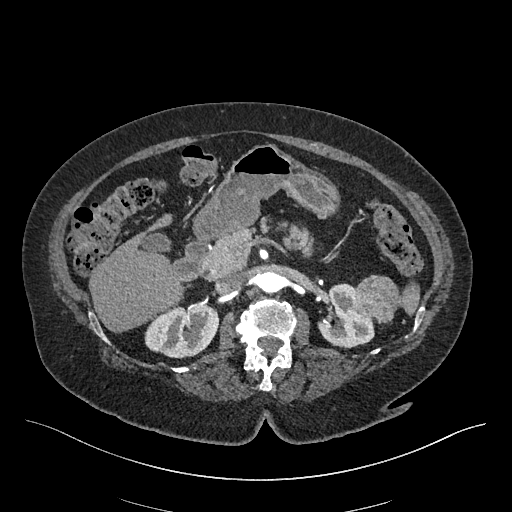
Axial slice 278 of 548 of a contrast-enhanced abdominal CT in the arterial phase (slice 1 is the lowest), 120 kVp, kernel I26f; 1.00 mm slice thickness and 0.852 mm pixels.
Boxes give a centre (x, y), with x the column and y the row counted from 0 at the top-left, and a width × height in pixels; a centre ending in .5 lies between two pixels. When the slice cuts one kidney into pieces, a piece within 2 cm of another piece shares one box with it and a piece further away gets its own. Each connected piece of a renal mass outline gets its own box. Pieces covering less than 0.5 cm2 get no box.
Three boxes on this slice (two kidney boxes and one renal mass box), listed by box centre from the image's left to its right. (1) Right kidney in a box with centre (181, 331), 75 × 55 pixels (outlined area 3,109 px, about 22.5 cm2). (2) Left kidney in a box with centre (346, 315.5), 57 × 66 pixels (outlined area 2,391 px, about 17.3 cm2). (3) Left renal mass, box centre (376, 298.5), 45 × 50 pixels (outlined area 1,713 px, about 12.4 cm2).